Contrast-enhanced abdominal CT, axial slice 77 of 98 (counted from the lowest slice); tube voltage 130 kVp, convolution kernel B30s; slices 5.00 mm thick, 0.840 mm per pixel.
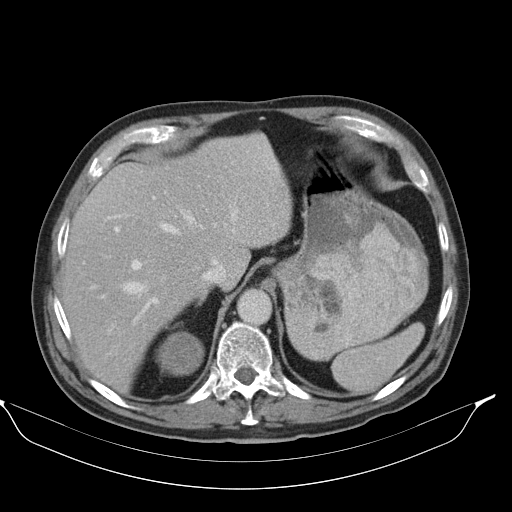
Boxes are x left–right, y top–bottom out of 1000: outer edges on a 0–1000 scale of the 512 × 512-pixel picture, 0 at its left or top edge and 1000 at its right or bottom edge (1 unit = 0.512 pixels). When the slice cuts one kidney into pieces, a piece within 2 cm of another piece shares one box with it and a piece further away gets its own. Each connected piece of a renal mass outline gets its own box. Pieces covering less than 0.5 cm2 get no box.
Box x 305–400, y 646–736 out of 1000: right renal mass (outlined area 1,658 px, about 11.7 cm2); no kidney is outlined on this slice, but the same outlined renal mass comes within 1 cm of the kidney on another slice.